One axial slice (62 of 140, counting up from the lowest) of an arterial-phase abdominal CT acquired with 120 kVp, kernel B31f; each pixel is 0.754 mm and the slice is 5.00 mm thick.
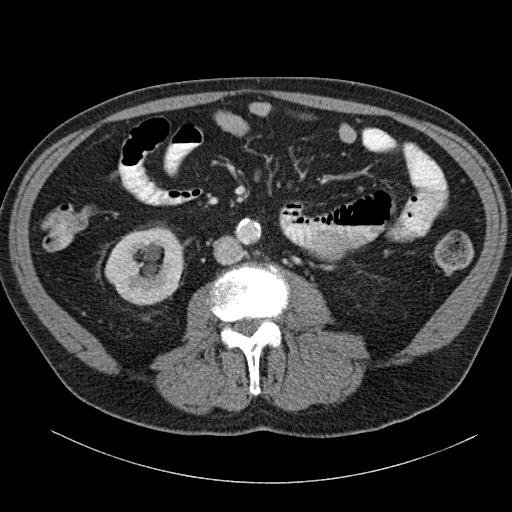
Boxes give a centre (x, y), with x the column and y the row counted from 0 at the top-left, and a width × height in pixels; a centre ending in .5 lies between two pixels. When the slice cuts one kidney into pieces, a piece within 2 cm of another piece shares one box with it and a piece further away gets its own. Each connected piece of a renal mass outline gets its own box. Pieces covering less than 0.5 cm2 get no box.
Right kidney in a box with centre (143.5, 266), 80 × 79 pixels (outlined area 4,703 px, about 26.7 cm2). No renal mass is outlined on this slice.